Abdominal CT with intravenous contrast, arterial phase, axial plane, 120 kVp, kernel STANDARD. Slice 283/389 from the bottom of the scan; thickness 1.25 mm; pixel size 0.869 mm.
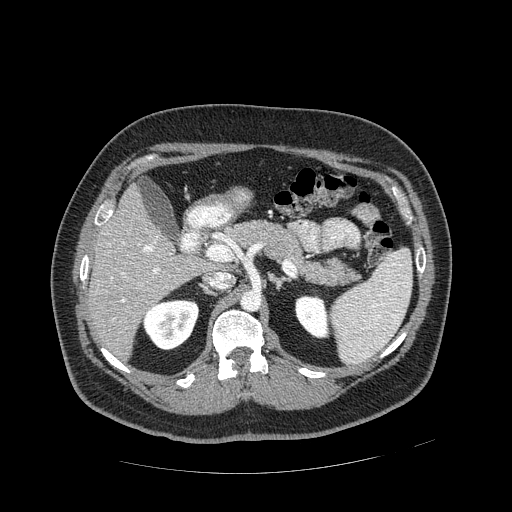
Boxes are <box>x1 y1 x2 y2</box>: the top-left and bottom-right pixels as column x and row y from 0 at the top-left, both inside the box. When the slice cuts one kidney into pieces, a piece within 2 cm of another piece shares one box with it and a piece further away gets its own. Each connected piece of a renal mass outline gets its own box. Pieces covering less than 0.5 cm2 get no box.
Two boxes on this slice (two kidney boxes), listed by box centre from the image's left to its right. (1) Right kidney: <box>143 299 199 350</box> (outlined area 2,214 px, about 16.7 cm2). (2) At <box>295 296 329 338</box>: left kidney (outlined area 1,161 px, about 8.8 cm2). No renal mass is outlined on this slice.